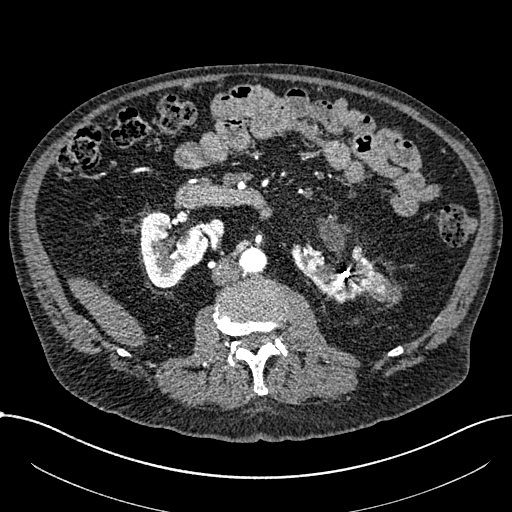
One axial slice (361 of 1059, counting up from the lowest) of an arterial-phase abdominal CT acquired with 100 kVp, kernel I30f; each pixel is 0.811 mm and the slice is 1.00 mm thick.
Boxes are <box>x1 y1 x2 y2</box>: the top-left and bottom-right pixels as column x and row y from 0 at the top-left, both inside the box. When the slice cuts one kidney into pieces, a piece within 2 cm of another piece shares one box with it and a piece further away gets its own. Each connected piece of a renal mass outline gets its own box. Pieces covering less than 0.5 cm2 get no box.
Three boxes on this slice (two kidney boxes and one renal mass box), listed by box centre from the image's left to its right. (1) Right part of the midline-crossing kidney: <box>140 212 208 288</box> (outlined area 3,589 px, about 23.6 cm2). (2) Left part of the midline-crossing kidney at <box>290 243 382 303</box> (outlined area 2,965 px, about 19.5 cm2). (3) At <box>360 273 398 303</box>: renal mass (outlined area 757 px, about 5.0 cm2).